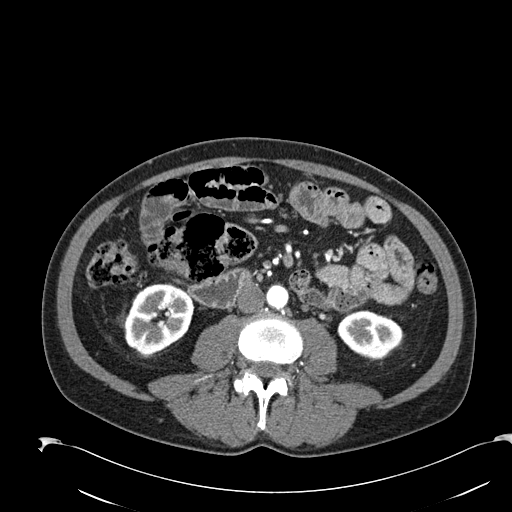
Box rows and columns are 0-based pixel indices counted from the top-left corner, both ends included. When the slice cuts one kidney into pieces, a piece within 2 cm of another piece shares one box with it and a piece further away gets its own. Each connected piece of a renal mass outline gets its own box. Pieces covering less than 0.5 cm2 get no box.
This is axial slice 74 of 274 (slice 1 is the lowest) of an arterial-phase abdominal CT with contrast; each pixel is 0.809 mm and the slice is 2.00 mm thick. Two kidney boxes on this slice; by box centre, from the image's left to its right: (1) Right kidney, box rows 284–354, columns 125–194 (outlined area 3,698 px, about 24.2 cm2). (2) Left kidney at rows 310–359, columns 337–403 (outlined area 2,394 px, about 15.7 cm2). This slice carries no renal mass outline.
Tube voltage 120 kVp; convolution kernel B30f.